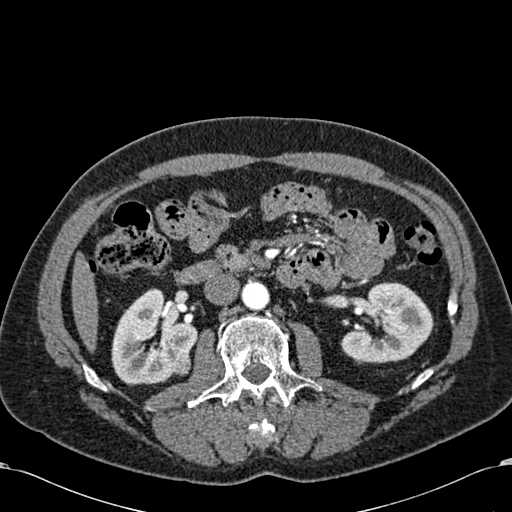
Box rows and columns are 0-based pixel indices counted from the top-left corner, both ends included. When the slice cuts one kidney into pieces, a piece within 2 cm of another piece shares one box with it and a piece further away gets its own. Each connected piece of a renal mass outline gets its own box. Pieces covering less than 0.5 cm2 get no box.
This is axial slice 342 of 581 (slice 1 is the lowest) of an arterial-phase abdominal CT with contrast; each pixel is 0.713 mm and the slice is 1.00 mm thick. Three boxes on this slice (two kidney boxes and one renal mass box), listed by box centre from the image's left to its right. (1) Right kidney at rows 288–385, columns 111–197 (outlined area 5,582 px, about 28.4 cm2). (2) Box rows 352–376, columns 168–190: right renal mass (outlined area 439 px, about 2.2 cm2). (3) Left kidney at rows 282–363, columns 340–433 (outlined area 5,173 px, about 26.3 cm2).
Acquired at 120 kVp and reconstructed with the B30f kernel.